Axial slice 59 of 95 of a contrast-enhanced abdominal CT (slice 1 is the lowest), 120 kVp, kernel STANDARD; 5.00 mm slice thickness and 0.781 mm pixels.
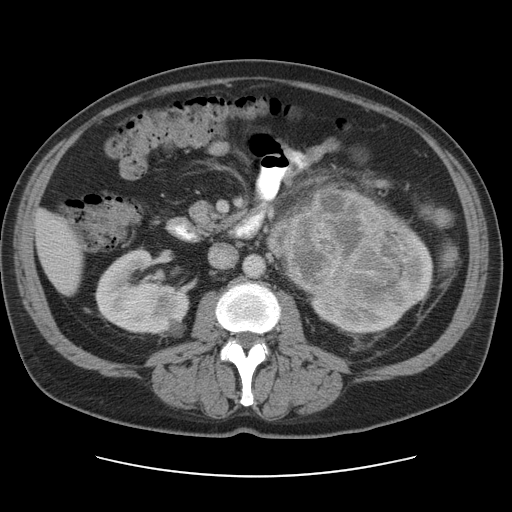
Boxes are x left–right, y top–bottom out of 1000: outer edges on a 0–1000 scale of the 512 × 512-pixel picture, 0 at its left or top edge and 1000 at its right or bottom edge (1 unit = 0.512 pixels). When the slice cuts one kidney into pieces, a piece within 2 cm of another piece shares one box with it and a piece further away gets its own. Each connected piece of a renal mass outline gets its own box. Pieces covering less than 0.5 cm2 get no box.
Two kidney boxes and one renal mass box on this slice; by box centre, from the image's left to its right: (1) Right kidney, box x 184–371, y 486–660 out of 1000 (outlined area 5,981 px, about 36.5 cm2). (2) Left renal mass at x 521–783, y 365–590 out of 1000 (outlined area 11,235 px, about 68.6 cm2). (3) Left kidney at x 607–846, y 406–652 out of 1000 (outlined area 5,237 px, about 32.0 cm2).